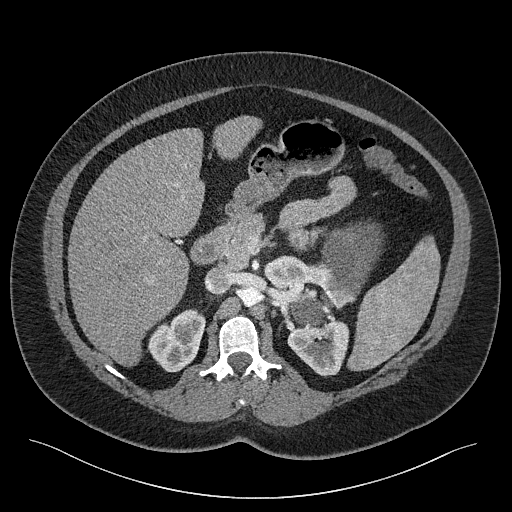
Contrast-enhanced abdominal CT, axial slice 158 of 301 (counted from the lowest slice); tube voltage 120 kVp, convolution kernel I40f; slices 2.00 mm thick, 0.859 mm per pixel.
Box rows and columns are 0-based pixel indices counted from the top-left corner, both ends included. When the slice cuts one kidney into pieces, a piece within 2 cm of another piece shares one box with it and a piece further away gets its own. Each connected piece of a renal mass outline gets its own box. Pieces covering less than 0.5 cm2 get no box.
Two kidney boxes and two renal mass boxes on this slice; by box centre, from the image's left to its right: (1) Right kidney at rows 309–372, columns 148–205 (outlined area 2,512 px, about 18.6 cm2). (2) Left kidney at rows 255–376, columns 264–349 (outlined area 4,341 px, about 32.1 cm2). (3) Box rows 287–325, columns 287–334: left renal mass (outlined area 1,037 px, about 7.7 cm2). (4) Left renal mass, box rows 222–305, columns 319–383 (outlined area 3,738 px, about 27.6 cm2).